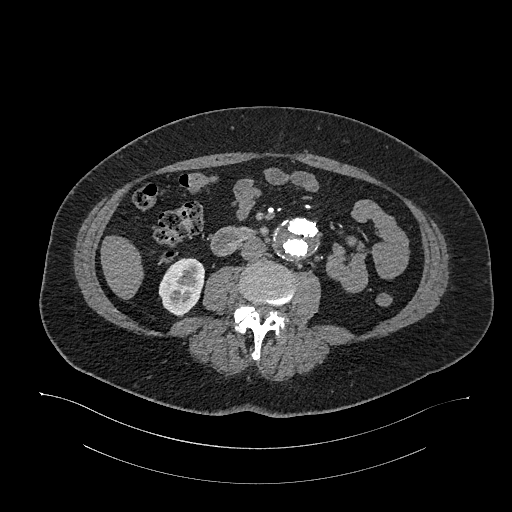
Axial slice 559 of 987 of a contrast-enhanced abdominal CT in the arterial phase (slice 1 is the lowest), 120 kVp, kernel I26f; 1.00 mm slice thickness and 0.977 mm pixels.
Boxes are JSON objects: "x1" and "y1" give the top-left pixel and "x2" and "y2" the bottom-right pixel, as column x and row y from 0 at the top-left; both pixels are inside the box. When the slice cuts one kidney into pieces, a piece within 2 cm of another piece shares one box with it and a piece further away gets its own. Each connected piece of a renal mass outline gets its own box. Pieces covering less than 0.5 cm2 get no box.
Box {"x1": 158, "y1": 258, "x2": 204, "y2": 317}: right kidney (outlined area 2,032 px, about 19.4 cm2). This slice carries no renal mass outline.